Contrast-enhanced abdominal CT, axial slice 104 of 153 (counted from the lowest slice); tube voltage 120 kVp, convolution kernel I41f; slices 3.00 mm thick, 0.893 mm per pixel.
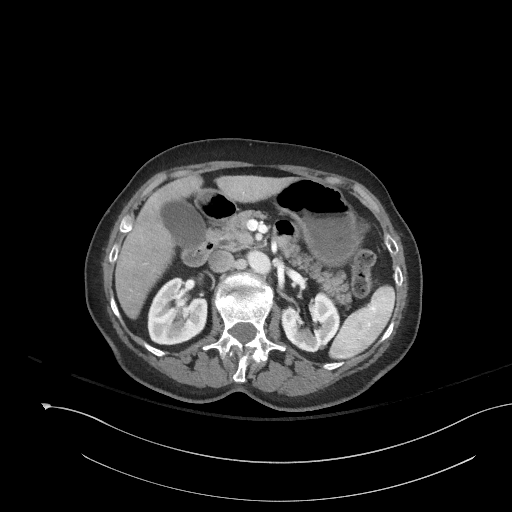
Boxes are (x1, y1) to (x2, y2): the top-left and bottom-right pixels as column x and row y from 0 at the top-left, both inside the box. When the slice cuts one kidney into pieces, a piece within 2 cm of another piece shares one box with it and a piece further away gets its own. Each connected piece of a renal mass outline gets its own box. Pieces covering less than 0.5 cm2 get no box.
Two boxes on this slice (two kidney boxes), listed by box centre from the image's left to its right. (1) Right kidney from (147, 278) to (207, 345) (outlined area 3,132 px, about 25.0 cm2). (2) Left kidney from (281, 292) to (339, 351) (outlined area 2,380 px, about 19.0 cm2). No renal mass outline on this slice.